One axial slice (384 of 787, counting up from the lowest) of a contrast-enhanced abdominal CT acquired with 140 kVp, kernel I30f; each pixel is 0.910 mm and the slice is 1.00 mm thick.
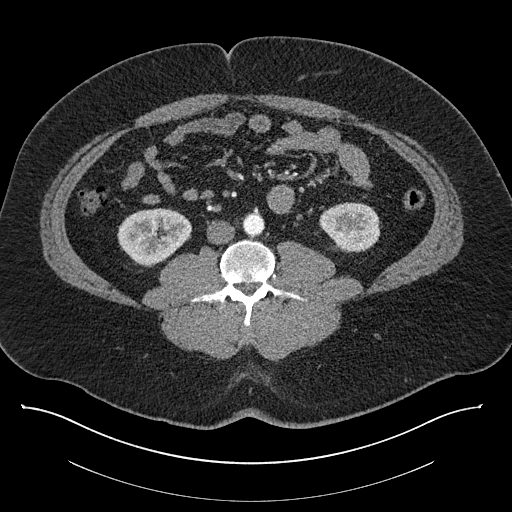
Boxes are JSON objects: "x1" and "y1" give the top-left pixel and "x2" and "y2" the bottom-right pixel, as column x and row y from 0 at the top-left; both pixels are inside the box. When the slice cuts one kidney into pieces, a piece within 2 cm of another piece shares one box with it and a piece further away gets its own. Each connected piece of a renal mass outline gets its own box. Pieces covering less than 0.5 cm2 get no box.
Two kidney boxes on this slice; by box centre, from the image's left to its right: (1) Right kidney at {"x1": 117, "y1": 208, "x2": 191, "y2": 265} (outlined area 3,215 px, about 26.6 cm2). (2) Left kidney, box {"x1": 319, "y1": 202, "x2": 380, "y2": 251} (outlined area 2,390 px, about 19.8 cm2). No renal mass outline on this slice.